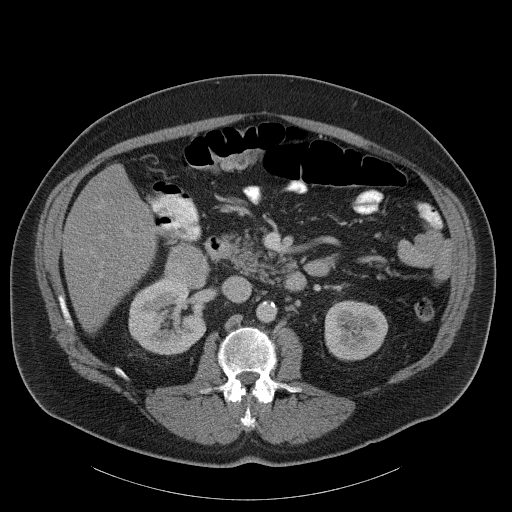
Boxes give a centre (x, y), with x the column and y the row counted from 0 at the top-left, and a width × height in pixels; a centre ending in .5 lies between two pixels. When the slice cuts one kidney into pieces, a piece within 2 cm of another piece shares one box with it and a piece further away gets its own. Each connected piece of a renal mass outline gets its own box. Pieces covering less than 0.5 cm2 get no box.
Slice 64/107 of a contrast-enhanced abdominal CT, counting up from the lowest; pixel size 0.941 mm, slice thickness 5.00 mm. Boxed on this slice (two kidney boxes and one renal mass box), listed by box centre from the image's left to its right: (1) Box centre (167, 315), 79 × 81 pixels: right kidney (outlined area 4,549 px, about 40.3 cm2). (2) Box centre (186.5, 265), 48 × 51 pixels: right renal mass (outlined area 1,685 px, about 14.9 cm2). (3) Left kidney in a box with centre (356, 330), 65 × 61 pixels (outlined area 3,140 px, about 27.8 cm2).
Acquired at 120 kVp and reconstructed with the B31f kernel.